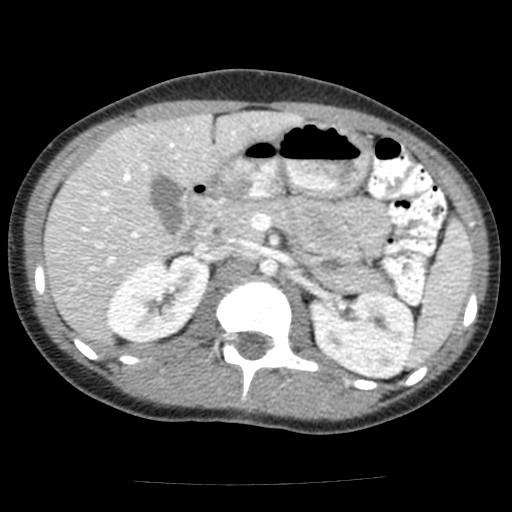
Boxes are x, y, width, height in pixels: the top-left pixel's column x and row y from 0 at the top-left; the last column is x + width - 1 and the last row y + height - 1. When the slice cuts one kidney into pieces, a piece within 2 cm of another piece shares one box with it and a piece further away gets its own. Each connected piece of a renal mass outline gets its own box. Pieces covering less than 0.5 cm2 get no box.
Arterial-phase contrast-enhanced abdominal CT, axial slice 87 of 117 (counted from the lowest slice); 3.00 mm thick, 0.518 mm per pixel. Boxed on this slice (two kidney boxes), listed by box centre from the image's left to its right: (1) Box x 106, y 253, width 105, height 90: right kidney (outlined area 6,327 px, about 17.0 cm2). (2) Box x 307, y 289, width 109, height 91: left kidney (outlined area 7,540 px, about 20.2 cm2). No renal mass is outlined on this slice.
Acquired at 120 kVp and reconstructed with the FC12 kernel.